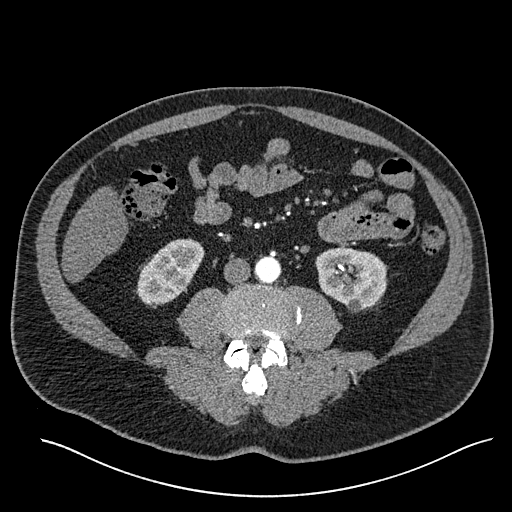
Abdominal CT with intravenous contrast, arterial phase, axial plane, 120 kVp, kernel I30f. Slice 228/527 from the bottom of the scan; thickness 1.00 mm; pixel size 0.859 mm.
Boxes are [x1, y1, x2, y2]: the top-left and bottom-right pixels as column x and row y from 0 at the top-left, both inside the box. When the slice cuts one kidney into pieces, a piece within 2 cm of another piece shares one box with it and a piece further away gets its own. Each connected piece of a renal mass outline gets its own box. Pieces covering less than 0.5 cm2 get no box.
Two kidney boxes on this slice; by box centre, from the image's left to its right: (1) Right kidney, box [136, 238, 204, 305] (outlined area 3,024 px, about 22.3 cm2). (2) Left kidney, box [315, 247, 387, 312] (outlined area 3,597 px, about 26.6 cm2). No renal mass is outlined on this slice.